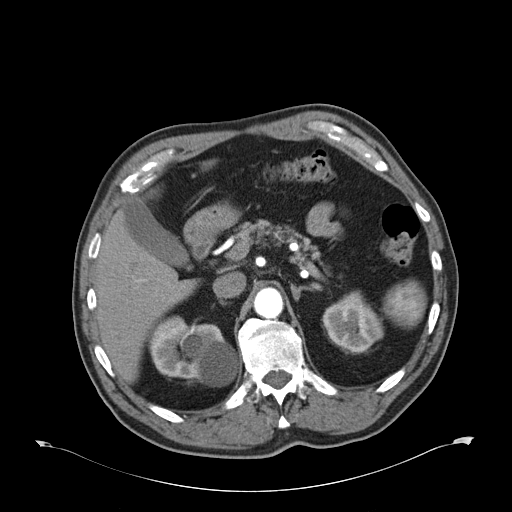
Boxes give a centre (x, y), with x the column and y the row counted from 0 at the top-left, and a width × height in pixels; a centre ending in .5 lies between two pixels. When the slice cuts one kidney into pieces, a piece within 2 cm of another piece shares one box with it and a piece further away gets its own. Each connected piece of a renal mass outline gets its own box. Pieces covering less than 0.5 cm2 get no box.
Slice 40/59 of a contrast-enhanced abdominal CT in the arterial phase, counting up from the lowest; pixel size 0.871 mm, slice thickness 5.00 mm. Boxed on this slice (two kidney boxes), listed by box centre from the image's left to its right: (1) Right kidney, box centre (192.5, 351), 92 × 71 pixels (outlined area 4,603 px, about 34.9 cm2). (2) Left kidney in a box with centre (352.5, 322), 62 × 65 pixels (outlined area 2,682 px, about 20.4 cm2). No renal mass outline on this slice.
Scan settings: 120 kVp, B30f reconstruction kernel.